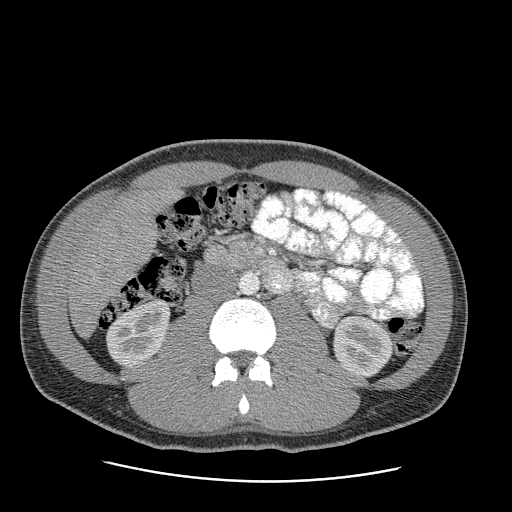
Abdominal CT with intravenous contrast, arterial phase, axial plane, 120 kVp, kernel STANDARD. Slice 136/199 from the bottom of the scan; thickness 2.50 mm; pixel size 0.789 mm.
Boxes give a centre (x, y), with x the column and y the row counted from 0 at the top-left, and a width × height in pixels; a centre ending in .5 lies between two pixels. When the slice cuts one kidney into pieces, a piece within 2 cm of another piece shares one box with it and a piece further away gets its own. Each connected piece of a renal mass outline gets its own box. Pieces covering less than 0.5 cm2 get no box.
Two kidney boxes on this slice; by box centre, from the image's left to its right: (1) Box centre (137.5, 333), 66 × 69 pixels: right kidney (outlined area 3,103 px, about 19.3 cm2). (2) Left kidney, box centre (363.5, 346), 62 × 63 pixels (outlined area 2,948 px, about 18.4 cm2). No renal mass outline on this slice.